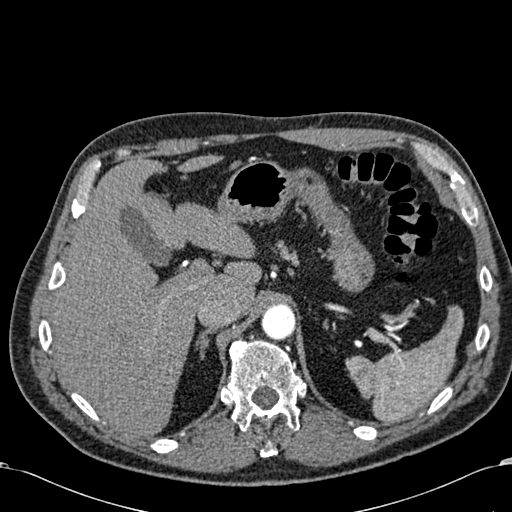
Abdominal CT with intravenous contrast, arterial phase, axial plane, 120 kVp, kernel B30f. Slice 484/581 from the bottom of the scan; thickness 1.00 mm; pixel size 0.713 mm.
Outside the outlined region: no kidney outline and no renal mass outline on this slice. The scan's outlines cover only kidneys and renal masses; no other organ is outlined.